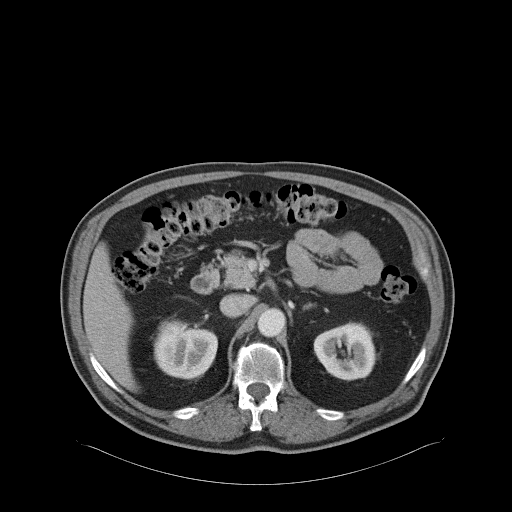
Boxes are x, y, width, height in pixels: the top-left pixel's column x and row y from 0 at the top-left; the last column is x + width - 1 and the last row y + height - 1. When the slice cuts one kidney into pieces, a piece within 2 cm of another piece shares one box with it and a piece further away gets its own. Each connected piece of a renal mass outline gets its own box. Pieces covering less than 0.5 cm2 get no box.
This is axial slice 49 of 68 (slice 1 is the lowest) of an arterial-phase abdominal CT with contrast; each pixel is 0.961 mm and the slice is 5.00 mm thick. Two boxes on this slice (two kidney boxes), listed by box centre from the image's left to its right. (1) Right kidney, box x 153, y 318, width 65, height 62 (outlined area 3,054 px, about 28.2 cm2). (2) Left kidney, box x 313, y 321, width 64, height 60 (outlined area 2,851 px, about 26.3 cm2). No renal mass is outlined on this slice.
Tube voltage 120 kVp; convolution kernel B31f.